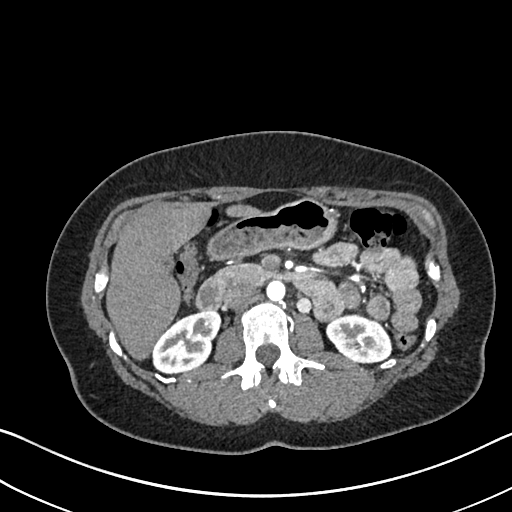
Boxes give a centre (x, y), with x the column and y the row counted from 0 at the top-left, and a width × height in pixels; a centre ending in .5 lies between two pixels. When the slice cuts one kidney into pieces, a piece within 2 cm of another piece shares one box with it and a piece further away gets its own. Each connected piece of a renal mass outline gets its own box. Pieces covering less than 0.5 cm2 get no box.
This is axial slice 404 of 612 (slice 1 is the lowest) of an arterial-phase abdominal CT with contrast; each pixel is 0.703 mm and the slice is 1.00 mm thick. Boxed on this slice (two kidney boxes), listed by box centre from the image's left to its right: (1) Right kidney in a box with centre (186, 341), 69 × 65 pixels (outlined area 3,007 px, about 14.9 cm2). (2) Left kidney, box centre (358, 338), 67 × 51 pixels (outlined area 2,463 px, about 12.2 cm2). No renal mass is outlined on this slice.
Tube voltage 120 kVp; convolution kernel I30f.